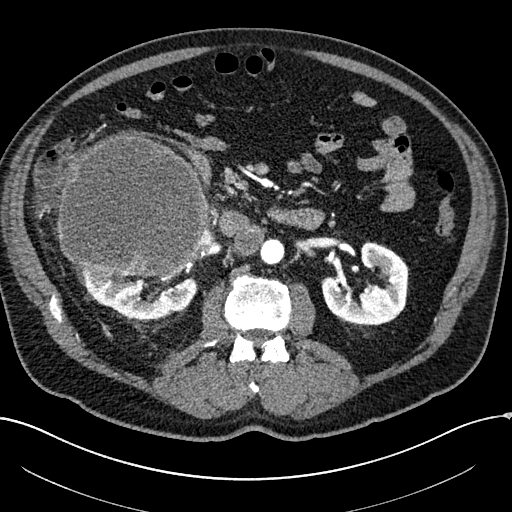
One axial slice (111 of 304, counting up from the lowest) of an arterial-phase abdominal CT acquired with 100 kVp, kernel I30f; each pixel is 0.809 mm and the slice is 2.00 mm thick.
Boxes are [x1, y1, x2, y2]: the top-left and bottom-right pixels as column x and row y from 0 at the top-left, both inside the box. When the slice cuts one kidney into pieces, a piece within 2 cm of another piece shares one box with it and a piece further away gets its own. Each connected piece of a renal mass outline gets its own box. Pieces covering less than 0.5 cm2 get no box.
Three boxes on this slice (two kidney boxes and one renal mass box), listed by box centre from the image's left to its right. (1) Right renal mass, box [56, 132, 206, 276] (outlined area 17,638 px, about 115.3 cm2). (2) Right kidney at [73, 264, 198, 320] (outlined area 4,070 px, about 26.6 cm2). (3) Box [321, 241, 408, 327]: left kidney (outlined area 4,752 px, about 31.1 cm2).